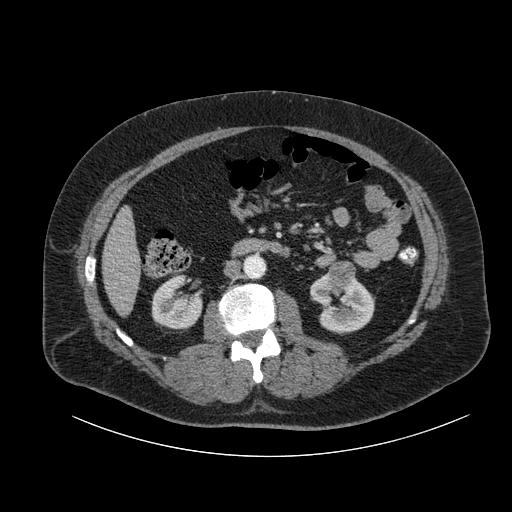
Contrast-enhanced abdominal CT, axial slice 41 of 105 (counted from the lowest slice); tube voltage 120 kVp, convolution kernel B; slices 3.00 mm thick, 0.977 mm per pixel.
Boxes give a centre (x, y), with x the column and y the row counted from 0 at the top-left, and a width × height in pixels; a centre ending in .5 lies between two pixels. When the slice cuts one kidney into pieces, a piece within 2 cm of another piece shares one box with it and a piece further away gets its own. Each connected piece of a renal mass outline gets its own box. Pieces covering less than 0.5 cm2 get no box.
Three boxes on this slice (two kidney boxes and one renal mass box), listed by box centre from the image's left to its right. (1) Right kidney, box centre (176.5, 301.5), 52 × 56 pixels (outlined area 2,164 px, about 20.6 cm2). (2) Left renal mass, box centre (341.5, 274), 28 × 29 pixels (outlined area 656 px, about 6.3 cm2). (3) Box centre (342, 303), 67 × 63 pixels: left kidney (outlined area 2,624 px, about 25.0 cm2).